One axial slice (143 of 186, counting up from the lowest) of a contrast-enhanced abdominal CT acquired with 120 kVp, kernel STANDARD; each pixel is 0.850 mm and the slice is 2.50 mm thick.
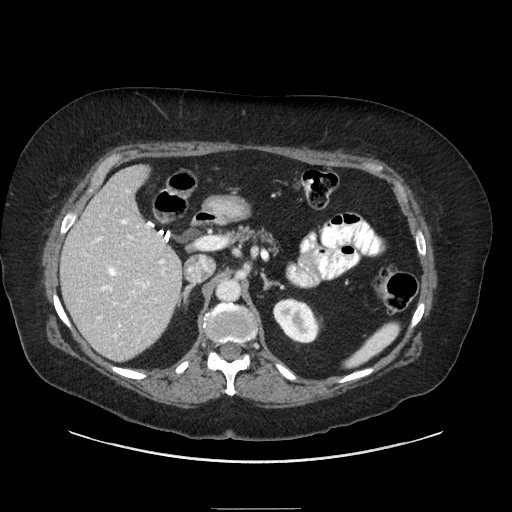
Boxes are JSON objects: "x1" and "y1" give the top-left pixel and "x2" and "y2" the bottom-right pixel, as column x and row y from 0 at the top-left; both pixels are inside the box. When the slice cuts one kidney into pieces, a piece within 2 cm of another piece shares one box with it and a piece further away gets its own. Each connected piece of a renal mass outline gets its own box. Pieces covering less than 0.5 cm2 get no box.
Box {"x1": 273, "y1": 297, "x2": 322, "y2": 343}: left kidney (outlined area 1,615 px, about 11.7 cm2). No renal mass is outlined on this slice.